Abdominal CT with intravenous contrast, axial plane, 120 kVp, kernel FC52. Slice 85/137 from the bottom of the scan; thickness 3.00 mm; pixel size 0.741 mm.
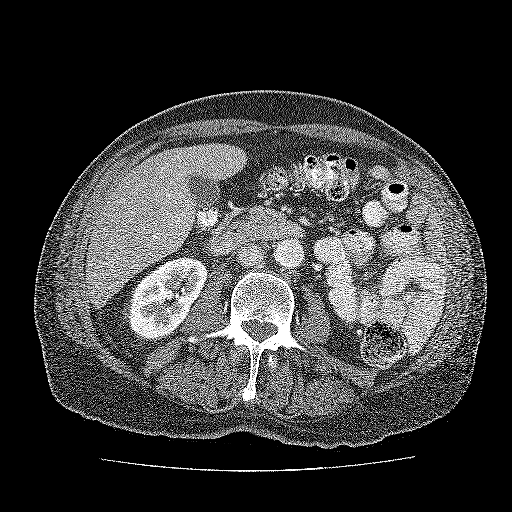
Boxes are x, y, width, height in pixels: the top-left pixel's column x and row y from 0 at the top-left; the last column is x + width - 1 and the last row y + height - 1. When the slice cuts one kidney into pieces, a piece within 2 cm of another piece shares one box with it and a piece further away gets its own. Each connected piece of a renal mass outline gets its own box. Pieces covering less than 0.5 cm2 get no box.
Kidney at x 123, y 256, width 86, height 86 (outlined area 4,731 px, about 26.0 cm2). No renal mass outline on this slice.